One axial slice (319 of 541, counting up from the lowest) of an arterial-phase abdominal CT acquired with 120 kVp, kernel I30f; each pixel is 0.834 mm and the slice is 1.00 mm thick.
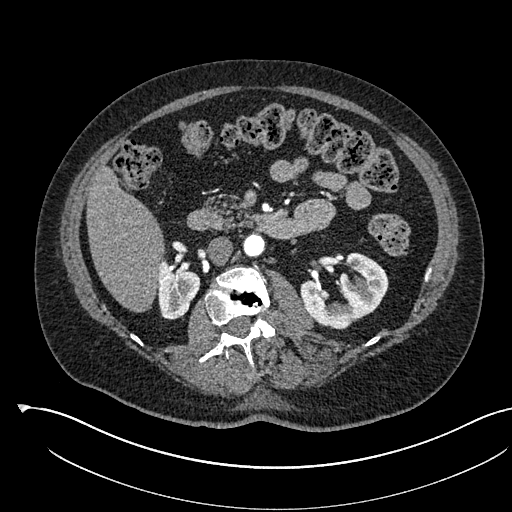
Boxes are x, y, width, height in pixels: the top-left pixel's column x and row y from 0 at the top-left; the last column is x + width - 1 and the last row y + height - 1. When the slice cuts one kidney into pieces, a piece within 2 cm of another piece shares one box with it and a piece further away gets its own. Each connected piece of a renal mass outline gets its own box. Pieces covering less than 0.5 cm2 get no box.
Two boxes on this slice (two kidney boxes), listed by box centre from the image's left to its right. (1) Right kidney, box x 156, y 257, width 45, height 63 (outlined area 1,971 px, about 13.7 cm2). (2) Left kidney, box x 300, y 252, width 89, height 78 (outlined area 4,129 px, about 28.7 cm2). No renal mass is outlined on this slice.